Axial slice 139 of 274 of a contrast-enhanced abdominal CT in the arterial phase (slice 1 is the lowest), 120 kVp, kernel B30f; 2.00 mm slice thickness and 0.809 mm pixels.
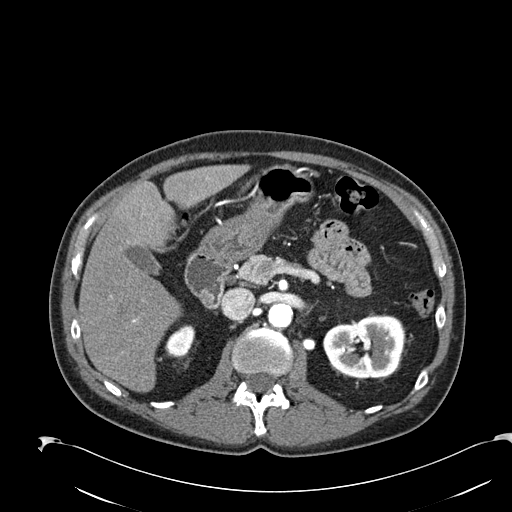
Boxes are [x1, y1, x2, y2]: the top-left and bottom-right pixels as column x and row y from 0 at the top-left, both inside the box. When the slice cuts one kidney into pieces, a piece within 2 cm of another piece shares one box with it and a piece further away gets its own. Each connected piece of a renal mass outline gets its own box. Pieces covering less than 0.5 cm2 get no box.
Two boxes on this slice (two kidney boxes), listed by box centre from the image's left to its right. (1) Box [165, 324, 195, 358]: right kidney (outlined area 737 px, about 4.8 cm2). (2) Left kidney, box [323, 314, 405, 377] (outlined area 4,188 px, about 27.4 cm2). No renal mass is outlined on this slice.